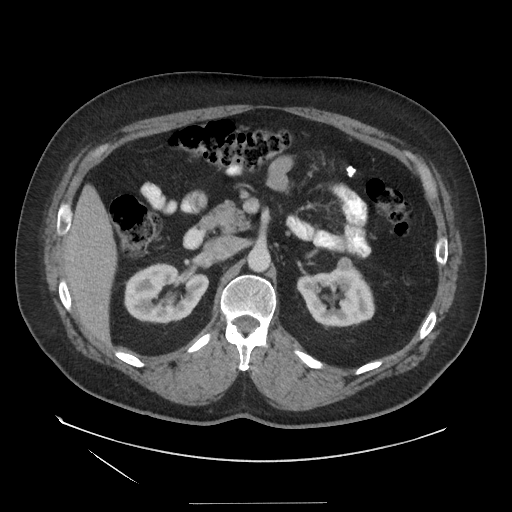
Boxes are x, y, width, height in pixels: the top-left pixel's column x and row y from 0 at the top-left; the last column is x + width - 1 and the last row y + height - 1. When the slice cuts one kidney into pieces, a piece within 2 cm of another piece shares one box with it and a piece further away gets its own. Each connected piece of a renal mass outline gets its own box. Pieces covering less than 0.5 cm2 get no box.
This is axial slice 87 of 129 (slice 1 is the lowest) of an arterial-phase abdominal CT with contrast; each pixel is 0.938 mm and the slice is 3.75 mm thick. Boxed on this slice (two kidney boxes and one renal mass box), listed by box centre from the image's left to its right: (1) Box x 124, y 262, width 86, height 63: right kidney (outlined area 3,875 px, about 34.1 cm2). (2) Left kidney at x 296, y 266, width 80, height 63 (outlined area 3,532 px, about 31.0 cm2). (3) Box x 336, y 256, width 18, height 16: left renal mass (outlined area 202 px, about 1.8 cm2).
Tube voltage 140 kVp; convolution kernel STANDARD.